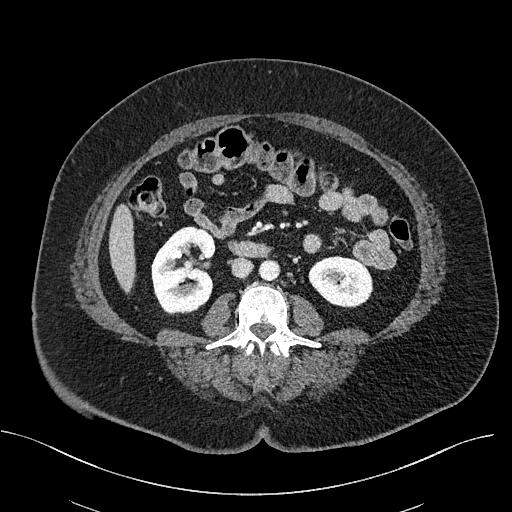
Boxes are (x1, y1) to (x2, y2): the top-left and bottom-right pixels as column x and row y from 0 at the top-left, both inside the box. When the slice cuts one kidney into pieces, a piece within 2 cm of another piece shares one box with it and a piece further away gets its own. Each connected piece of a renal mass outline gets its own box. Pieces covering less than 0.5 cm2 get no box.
Slice 270/470 of a contrast-enhanced abdominal CT, counting up from the lowest; pixel size 0.824 mm, slice thickness 2.00 mm. Two boxes on this slice (two kidney boxes), listed by box centre from the image's left to its right. (1) Right kidney, box (151, 226) to (215, 314) (outlined area 4,385 px, about 29.8 cm2). (2) Box (308, 256) to (373, 307): left kidney (outlined area 2,569 px, about 17.5 cm2).
Tube voltage 100 kVp; convolution kernel I40f.